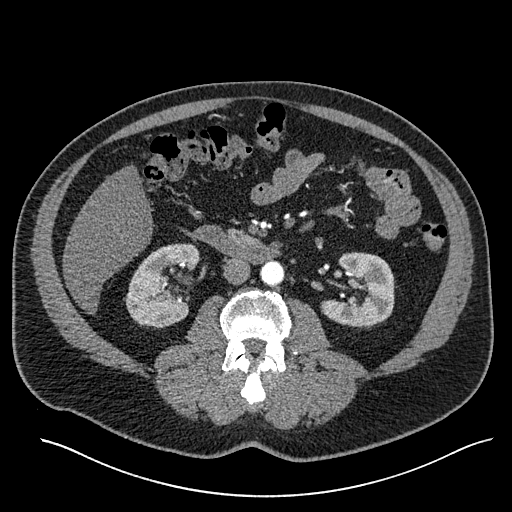
One axial slice (289 of 527, counting up from the lowest) of an arterial-phase abdominal CT acquired with 120 kVp, kernel I30f; each pixel is 0.859 mm and the slice is 1.00 mm thick.
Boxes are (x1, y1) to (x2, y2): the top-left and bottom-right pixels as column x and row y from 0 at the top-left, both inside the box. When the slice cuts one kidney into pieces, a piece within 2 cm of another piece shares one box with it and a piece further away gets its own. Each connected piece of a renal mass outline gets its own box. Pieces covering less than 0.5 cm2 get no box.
Two boxes on this slice (two kidney boxes), listed by box centre from the image's left to its right. (1) Right kidney from (124, 243) to (199, 328) (outlined area 4,416 px, about 32.6 cm2). (2) Box (320, 252) to (395, 328): left kidney (outlined area 4,005 px, about 29.6 cm2). No renal mass outline on this slice.